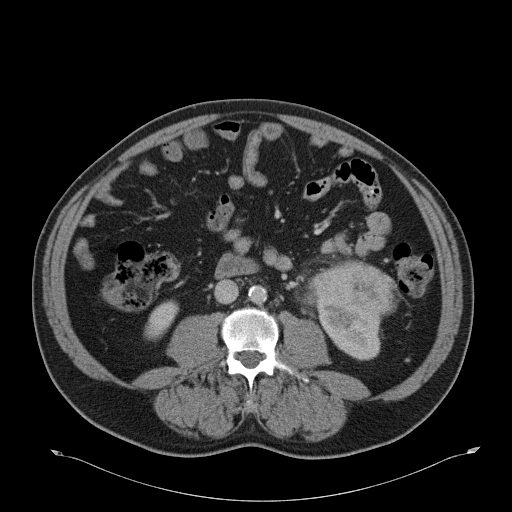
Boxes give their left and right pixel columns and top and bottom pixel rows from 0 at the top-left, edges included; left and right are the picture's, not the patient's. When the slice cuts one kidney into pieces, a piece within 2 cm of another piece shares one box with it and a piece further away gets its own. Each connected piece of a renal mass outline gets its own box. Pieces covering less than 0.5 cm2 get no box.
This is axial slice 12 of 51 (slice 1 is the lowest) of an abdominal CT with contrast; each pixel is 0.865 mm and the slice is 5.00 mm thick. Three boxes on this slice (two kidney boxes and one renal mass box), listed by box centre from the image's left to its right. (1) Right kidney, the box with left 144, top 300, right 178, bottom 340 (outlined area 882 px, about 6.6 cm2). (2) Left kidney in the box with left 315, top 303, right 386, bottom 360 (outlined area 2,626 px, about 19.7 cm2). (3) Box with left 311, top 259, right 398, bottom 314: left renal mass (outlined area 3,575 px, about 26.8 cm2).
Tube voltage 120 kVp; convolution kernel B31f.